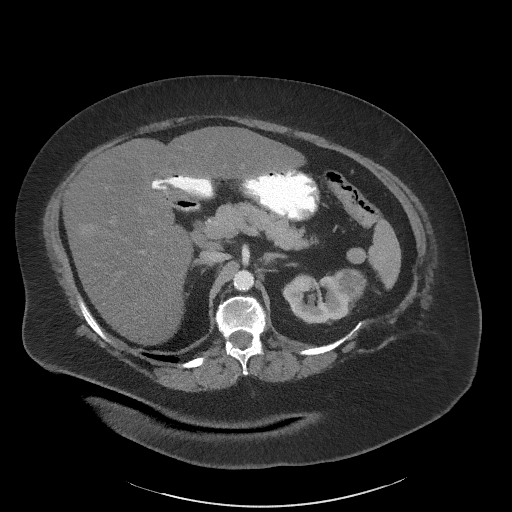
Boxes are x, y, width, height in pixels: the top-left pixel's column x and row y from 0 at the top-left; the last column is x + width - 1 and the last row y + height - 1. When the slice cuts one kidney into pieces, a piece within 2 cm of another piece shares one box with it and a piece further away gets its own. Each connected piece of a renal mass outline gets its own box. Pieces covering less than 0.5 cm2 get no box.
This is axial slice 45 of 61 (slice 1 is the lowest) of an arterial-phase abdominal CT with contrast; each pixel is 0.947 mm and the slice is 3.00 mm thick. Two boxes on this slice (one kidney box and one renal mass box), listed by box centre from the image's left to its right. (1) Left kidney, box x 282, y 273, width 71, height 52 (outlined area 2,402 px, about 21.6 cm2). (2) Box x 332, y 268, width 35, height 35: left renal mass (outlined area 927 px, about 8.3 cm2).
Acquired at 140 kVp and reconstructed with the I41f kernel.